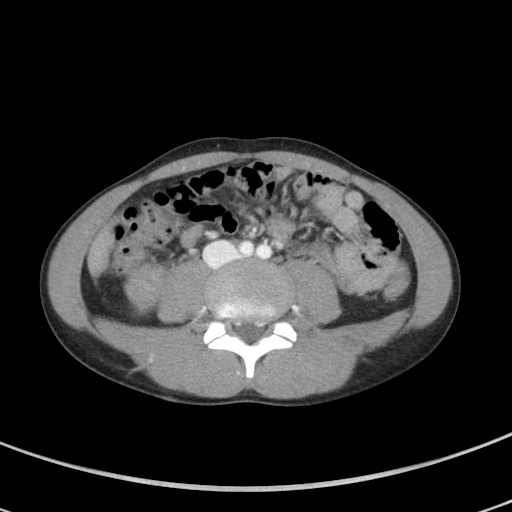
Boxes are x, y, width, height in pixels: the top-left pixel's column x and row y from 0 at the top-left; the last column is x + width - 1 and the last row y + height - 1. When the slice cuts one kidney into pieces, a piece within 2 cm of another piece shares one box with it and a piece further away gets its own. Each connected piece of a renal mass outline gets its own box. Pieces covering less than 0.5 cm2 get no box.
This is axial slice 30 of 94 (slice 1 is the lowest) of an arterial-phase abdominal CT with contrast; each pixel is 0.551 mm and the slice is 5.00 mm thick. Right renal mass, box x 123, y 261, width 44, height 55 (outlined area 1,704 px, about 5.2 cm2); this slice has no kidney outline, though on another slice the same outlined renal mass lies within 1 cm of the kidney.
Scan settings: 100 kVp, I41f reconstruction kernel.